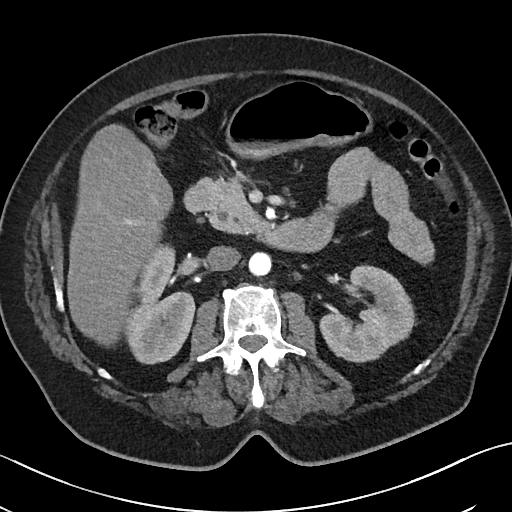
Contrast-enhanced abdominal CT, axial slice 22 of 50 (counted from the lowest slice); tube voltage 100 kVp, convolution kernel I40f; slices 5.00 mm thick, 0.723 mm per pixel.
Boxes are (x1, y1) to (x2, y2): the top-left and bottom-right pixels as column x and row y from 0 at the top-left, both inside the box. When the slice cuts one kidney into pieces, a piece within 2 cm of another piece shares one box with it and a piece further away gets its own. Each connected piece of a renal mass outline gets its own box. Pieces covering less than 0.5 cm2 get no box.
Two kidney boxes on this slice; by box centre, from the image's left to its right: (1) Right kidney from (125, 243) to (195, 364) (outlined area 5,549 px, about 29.0 cm2). (2) Left kidney, box (319, 265) to (414, 362) (outlined area 5,959 px, about 31.1 cm2). No renal mass is outlined on this slice.